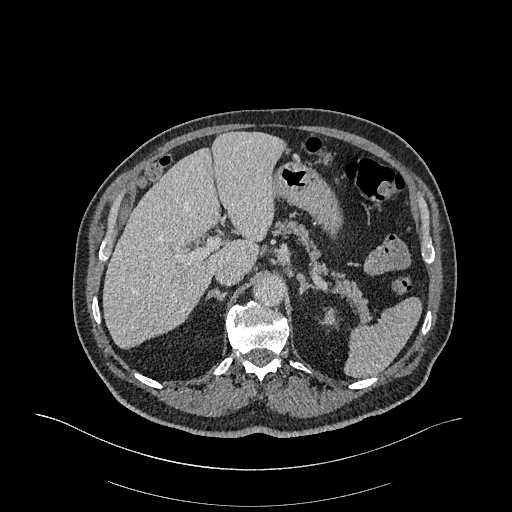
Axial slice 260 of 470 of a contrast-enhanced abdominal CT in the arterial phase (slice 1 is the lowest), 120 kVp, kernel I26f; 1.00 mm slice thickness and 0.938 mm pixels.
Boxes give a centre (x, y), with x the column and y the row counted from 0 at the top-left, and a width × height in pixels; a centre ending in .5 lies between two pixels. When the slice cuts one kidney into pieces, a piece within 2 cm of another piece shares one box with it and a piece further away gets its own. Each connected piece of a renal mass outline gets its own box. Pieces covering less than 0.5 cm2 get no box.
Left kidney, box centre (329, 318), 21 × 23 pixels (outlined area 275 px, about 2.4 cm2). This slice carries no renal mass outline.